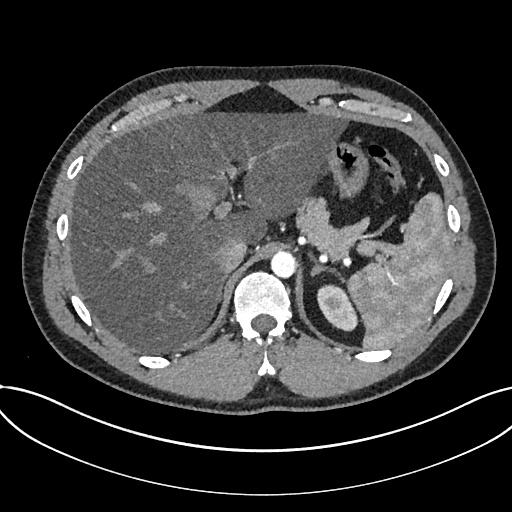
One axial slice (578 of 735, counting up from the lowest) of an arterial-phase abdominal CT acquired with 120 kVp, kernel I30f; each pixel is 0.789 mm and the slice is 1.00 mm thick.
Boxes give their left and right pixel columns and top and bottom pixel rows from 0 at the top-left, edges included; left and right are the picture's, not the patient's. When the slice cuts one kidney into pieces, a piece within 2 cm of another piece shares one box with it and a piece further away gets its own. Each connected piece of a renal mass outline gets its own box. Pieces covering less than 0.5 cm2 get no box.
Kidney in the box with left 317, top 284, right 357, bottom 331 (outlined area 1,345 px, about 8.4 cm2). No renal mass is outlined on this slice.